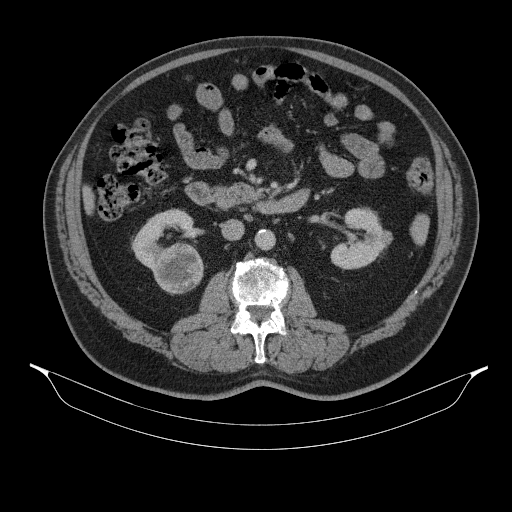
Abdominal CT with intravenous contrast, axial plane, 130 kVp, kernel B31s. Slice 192/314 from the bottom of the scan; thickness 2.50 mm; pixel size 0.934 mm.
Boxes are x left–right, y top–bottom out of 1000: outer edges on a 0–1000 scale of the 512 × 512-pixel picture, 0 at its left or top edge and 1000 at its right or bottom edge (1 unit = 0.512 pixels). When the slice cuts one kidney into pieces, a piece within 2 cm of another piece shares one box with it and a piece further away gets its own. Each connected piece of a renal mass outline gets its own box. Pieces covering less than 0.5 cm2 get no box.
Two kidney boxes and one renal mass box on this slice; by box centre, from the image's left to its right: (1) Box x 256–381, y 406–531 out of 1000: right kidney (outlined area 1,956 px, about 17.0 cm2). (2) Right renal mass, box x 299–400, y 473–576 out of 1000 (outlined area 2,067 px, about 18.0 cm2). (3) Left kidney, box x 645–768, y 404–527 out of 1000 (outlined area 2,555 px, about 22.3 cm2).